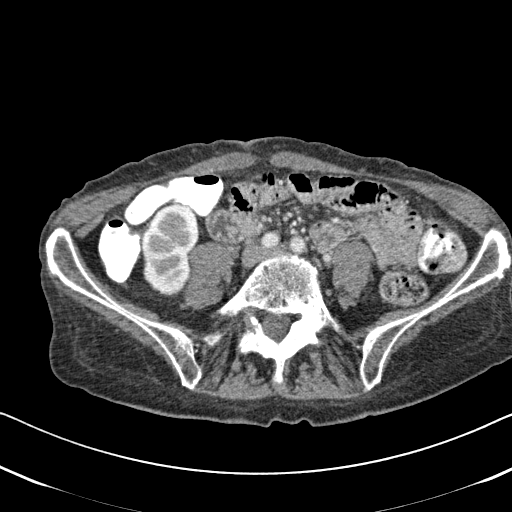
Axial slice 224 of 620 of a contrast-enhanced abdominal CT in the arterial phase (slice 1 is the lowest), 120 kVp, kernel B31f; 2.00 mm slice thickness and 0.637 mm pixels.
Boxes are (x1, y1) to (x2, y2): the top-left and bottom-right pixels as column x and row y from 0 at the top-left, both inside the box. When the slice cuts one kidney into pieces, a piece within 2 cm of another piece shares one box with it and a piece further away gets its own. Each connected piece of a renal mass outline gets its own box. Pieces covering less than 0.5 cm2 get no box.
Right kidney from (142, 204) to (199, 297) (outlined area 4,295 px, about 17.4 cm2). This slice carries no renal mass outline.